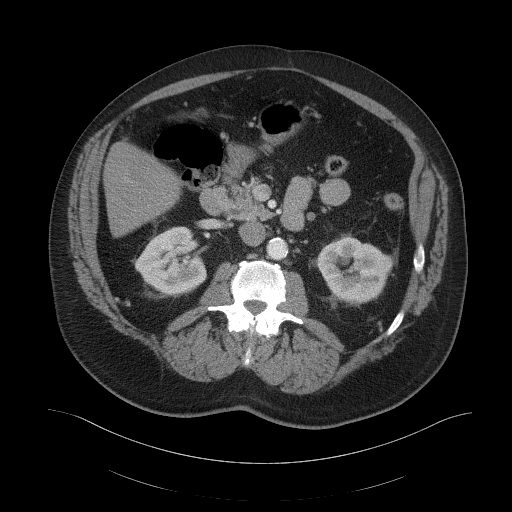
Abdominal CT with intravenous contrast, arterial phase, axial plane, 120 kVp, kernel B41f. Slice 69/103 from the bottom of the scan; thickness 5.00 mm; pixel size 0.951 mm.
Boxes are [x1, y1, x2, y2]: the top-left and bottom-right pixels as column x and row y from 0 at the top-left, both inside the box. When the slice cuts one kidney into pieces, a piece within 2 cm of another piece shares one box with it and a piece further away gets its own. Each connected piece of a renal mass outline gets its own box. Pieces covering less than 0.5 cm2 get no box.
Boxed on this slice (two kidney boxes), listed by box centre from the image's left to its right: (1) Box [134, 226, 206, 295]: right kidney (outlined area 3,649 px, about 33.0 cm2). (2) Left kidney, box [317, 236, 392, 304] (outlined area 3,730 px, about 33.7 cm2). No renal mass outline on this slice.